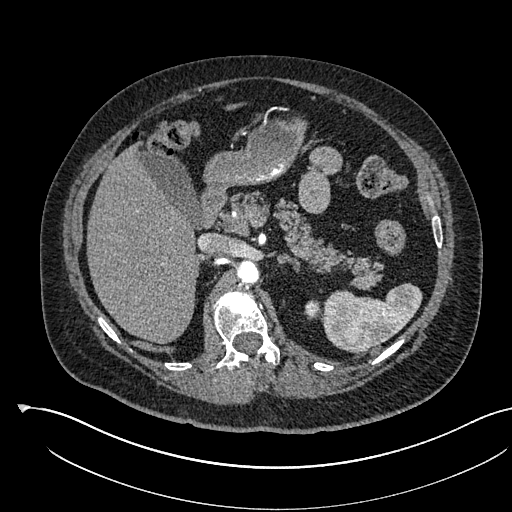
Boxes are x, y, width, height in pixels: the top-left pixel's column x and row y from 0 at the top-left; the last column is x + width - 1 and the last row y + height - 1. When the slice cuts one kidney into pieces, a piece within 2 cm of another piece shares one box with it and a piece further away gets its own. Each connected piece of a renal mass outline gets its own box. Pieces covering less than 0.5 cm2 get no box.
Arterial-phase contrast-enhanced abdominal CT, axial slice 388 of 541 (counted from the lowest slice); 1.00 mm thick, 0.834 mm per pixel. Box x 304, y 300, width 16, height 20: left kidney (outlined area 255 px, about 1.8 cm2). No renal mass is outlined on this slice.
Scan settings: 120 kVp, I30f reconstruction kernel.